Axial slice 375 of 665 of a contrast-enhanced abdominal CT in the arterial phase (slice 1 is the lowest), 100 kVp, kernel I26f; 1.00 mm slice thickness and 0.828 mm pixels.
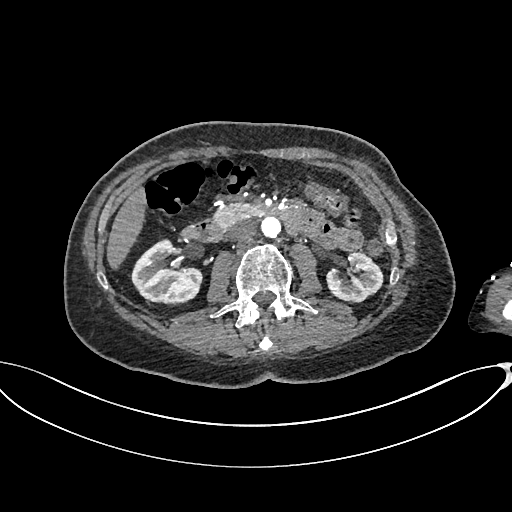
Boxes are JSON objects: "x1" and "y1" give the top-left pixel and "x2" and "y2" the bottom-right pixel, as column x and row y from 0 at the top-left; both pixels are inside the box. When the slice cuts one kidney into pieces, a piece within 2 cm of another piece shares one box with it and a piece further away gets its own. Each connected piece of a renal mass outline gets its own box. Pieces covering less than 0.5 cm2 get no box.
Boxed on this slice (two kidney boxes), listed by box centre from the image's left to its right: (1) Box {"x1": 131, "y1": 239, "x2": 202, "y2": 305}: right kidney (outlined area 3,319 px, about 22.8 cm2). (2) Left kidney at {"x1": 326, "y1": 253, "x2": 383, "y2": 303} (outlined area 2,093 px, about 14.4 cm2). No renal mass outline on this slice.